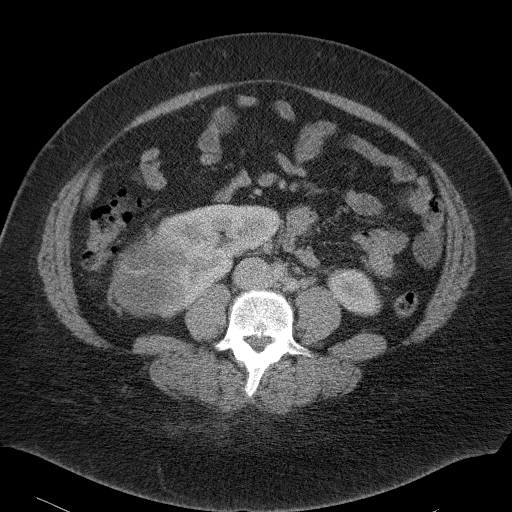
One axial slice (49 of 90, counting up from the lowest) of a contrast-enhanced abdominal CT acquired with 120 kVp, kernel B41f; each pixel is 0.781 mm and the slice is 5.00 mm thick.
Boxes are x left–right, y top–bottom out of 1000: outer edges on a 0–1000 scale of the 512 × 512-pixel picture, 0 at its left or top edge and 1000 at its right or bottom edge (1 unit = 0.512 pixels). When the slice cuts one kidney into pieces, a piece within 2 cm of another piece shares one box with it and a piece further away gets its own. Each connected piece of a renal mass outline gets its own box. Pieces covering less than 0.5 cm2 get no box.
Boxed on this slice (two kidney boxes and one renal mass box), listed by box centre from the image's left to its right: (1) Right renal mass at x 219–387, y 441–623 out of 1000 (outlined area 5,626 px, about 34.3 cm2). (2) Right kidney, box x 309–549, y 398–584 out of 1000 (outlined area 6,044 px, about 36.9 cm2). (3) Left kidney at x 637–748, y 523–619 out of 1000 (outlined area 1,912 px, about 11.7 cm2).